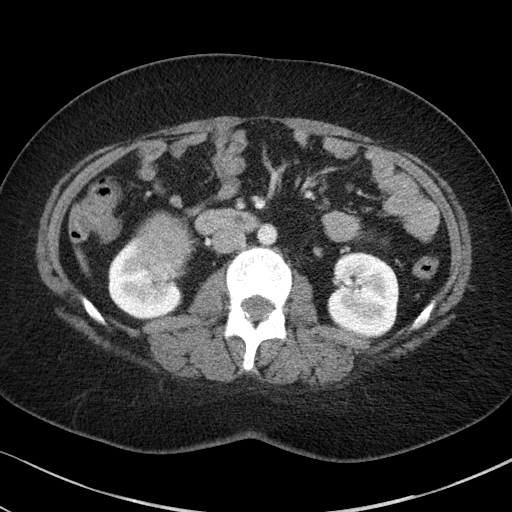
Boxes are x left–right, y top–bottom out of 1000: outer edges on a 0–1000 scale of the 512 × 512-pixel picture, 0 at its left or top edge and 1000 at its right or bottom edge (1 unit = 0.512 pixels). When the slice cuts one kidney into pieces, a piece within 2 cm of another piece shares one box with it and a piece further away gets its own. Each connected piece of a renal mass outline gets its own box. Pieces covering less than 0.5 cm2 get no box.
Slice 51/85 of a contrast-enhanced abdominal CT in the arterial phase, counting up from the lowest; pixel size 0.664 mm, slice thickness 5.00 mm. Two kidney boxes and one renal mass box on this slice; by box centre, from the image's left to its right: (1) Right kidney, box x 211–367, y 461–623 out of 1000 (outlined area 3,640 px, about 16.1 cm2). (2) Box x 264–373, y 418–539 out of 1000: right renal mass (outlined area 2,743 px, about 12.1 cm2). (3) Left kidney, box x 639–781, y 492–660 out of 1000 (outlined area 4,984 px, about 22.0 cm2).
Scan settings: 100 kVp, I41f reconstruction kernel.